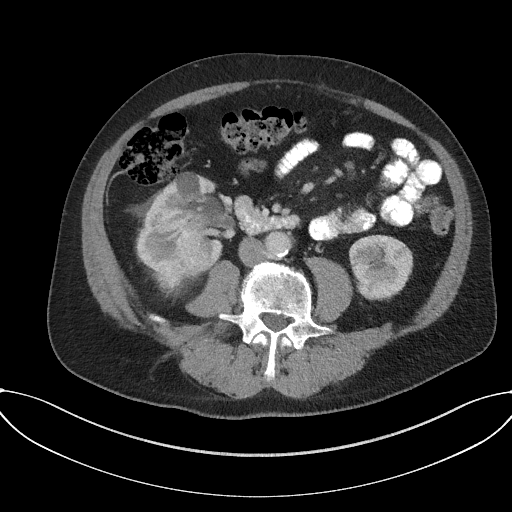
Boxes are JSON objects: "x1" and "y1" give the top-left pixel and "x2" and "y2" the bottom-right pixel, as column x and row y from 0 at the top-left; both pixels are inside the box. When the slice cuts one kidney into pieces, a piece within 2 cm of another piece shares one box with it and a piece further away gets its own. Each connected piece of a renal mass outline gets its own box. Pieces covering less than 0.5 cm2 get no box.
Slice 78/227 of a contrast-enhanced abdominal CT in the arterial phase, counting up from the lowest; pixel size 0.816 mm, slice thickness 3.00 mm. Three boxes on this slice (two kidney boxes and one renal mass box), listed by box centre from the image's left to its right. (1) Right renal mass, box {"x1": 150, "y1": 205, "x2": 210, "y2": 289} (outlined area 3,583 px, about 23.9 cm2). (2) Box {"x1": 136, "y1": 172, "x2": 235, "y2": 268}: right kidney (outlined area 3,952 px, about 26.3 cm2). (3) Left kidney, box {"x1": 348, "y1": 234, "x2": 413, "y2": 300} (outlined area 3,362 px, about 22.4 cm2).
Tube voltage 120 kVp; convolution kernel I31f.